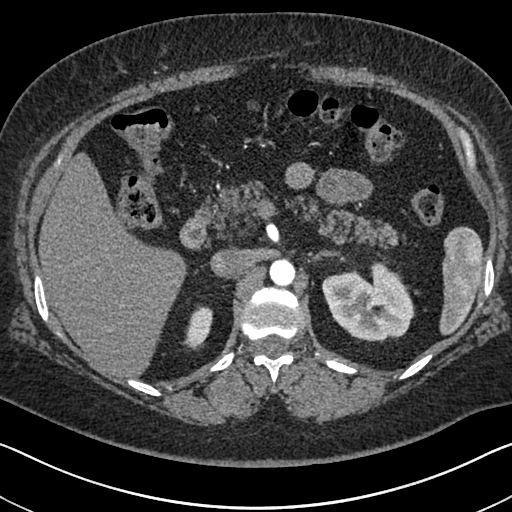
Arterial-phase contrast-enhanced abdominal CT, axial slice 465 of 591 (counted from the lowest slice); tube voltage 140 kVp, convolution kernel I30f; slices 1.00 mm thick, 0.703 mm per pixel.
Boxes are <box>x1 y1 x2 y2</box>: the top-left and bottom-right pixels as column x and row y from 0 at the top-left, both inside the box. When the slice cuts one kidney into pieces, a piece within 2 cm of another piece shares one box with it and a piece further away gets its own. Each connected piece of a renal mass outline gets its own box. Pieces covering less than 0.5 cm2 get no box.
Boxed on this slice (two kidney boxes), listed by box centre from the image's left to its right: (1) Right kidney: <box>182 305 212 349</box> (outlined area 899 px, about 4.4 cm2). (2) At <box>322 261 414 342</box>: left kidney (outlined area 5,242 px, about 25.9 cm2). No renal mass is outlined on this slice.